One axial slice (23 of 96, counting up from the lowest) of an arterial-phase abdominal CT acquired with 120 kVp, kernel I40f; each pixel is 0.840 mm and the slice is 5.00 mm thick.
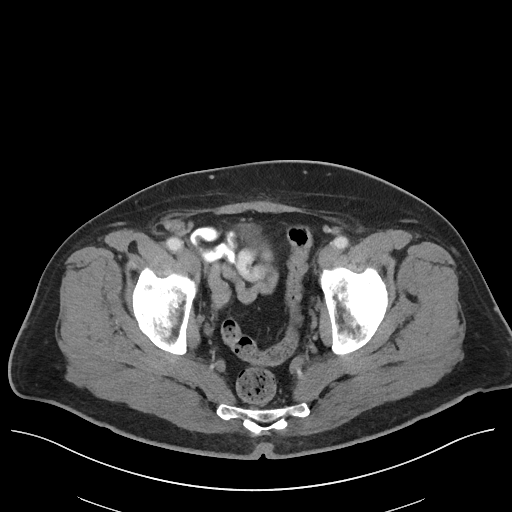
Neither a kidney nor a renal mass is outlined here. Only kidneys and renal masses are outlined anywhere in this scan; other structures are never outlined.